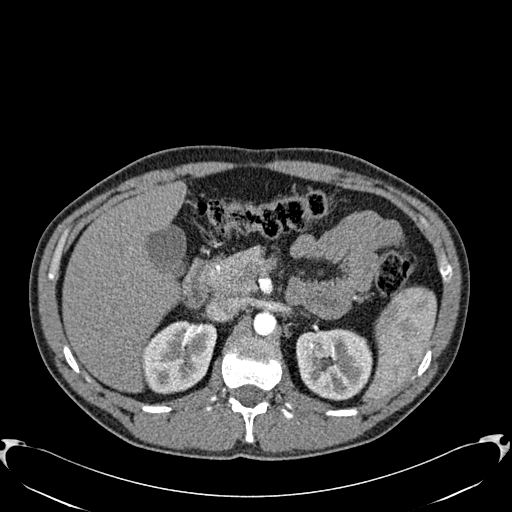
Axial slice 402 of 512 of a contrast-enhanced abdominal CT in the arterial phase (slice 1 is the lowest), 120 kVp, kernel B30f; 1.00 mm slice thickness and 0.771 mm pixels.
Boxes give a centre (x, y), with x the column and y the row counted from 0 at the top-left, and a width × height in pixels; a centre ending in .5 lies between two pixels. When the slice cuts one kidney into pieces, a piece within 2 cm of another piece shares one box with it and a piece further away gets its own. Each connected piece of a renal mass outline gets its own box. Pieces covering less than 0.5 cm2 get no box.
Two boxes on this slice (two kidney boxes), listed by box centre from the image's left to its right. (1) Right kidney, box centre (179.5, 357), 76 × 75 pixels (outlined area 4,226 px, about 25.2 cm2). (2) Left kidney, box centre (334, 364), 77 × 73 pixels (outlined area 4,504 px, about 26.8 cm2). No renal mass is outlined on this slice.